Abdominal CT with intravenous contrast, arterial phase, axial plane, 120 kVp, kernel B20f. Slice 598/719 from the bottom of the scan; thickness 1.00 mm; pixel size 0.766 mm.
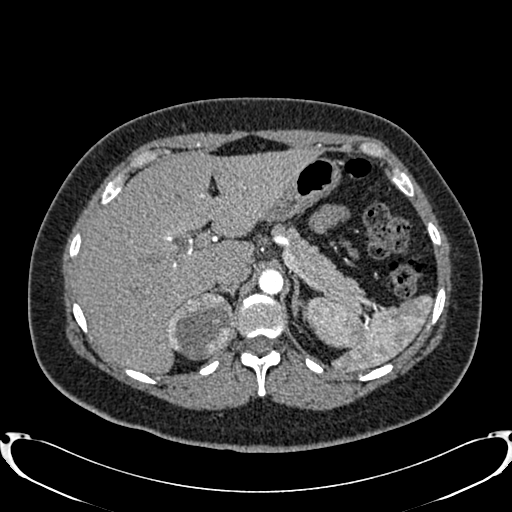
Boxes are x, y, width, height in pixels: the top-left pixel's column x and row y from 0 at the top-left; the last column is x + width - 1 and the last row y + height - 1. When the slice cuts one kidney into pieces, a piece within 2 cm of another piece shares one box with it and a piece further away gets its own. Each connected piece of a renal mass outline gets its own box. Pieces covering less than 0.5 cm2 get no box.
Right renal mass, box x 168, y 292, width 69, height 68 (outlined area 3,501 px, about 20.5 cm2); no kidney is outlined on this slice, but the same outlined renal mass comes within 1 cm of the kidney on another slice.